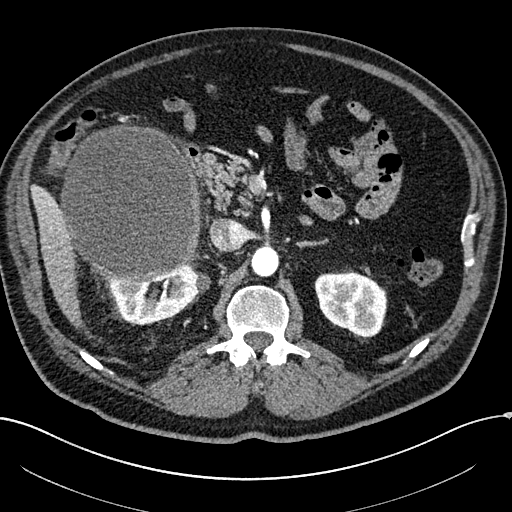
Arterial-phase contrast-enhanced abdominal CT, axial slice 143 of 304 (counted from the lowest slice); tube voltage 100 kVp, convolution kernel I30f; slices 2.00 mm thick, 0.809 mm per pixel.
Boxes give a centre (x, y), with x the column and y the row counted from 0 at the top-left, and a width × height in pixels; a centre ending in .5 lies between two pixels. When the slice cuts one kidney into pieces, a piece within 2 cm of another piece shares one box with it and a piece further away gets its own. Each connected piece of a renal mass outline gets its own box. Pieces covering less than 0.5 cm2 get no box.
Three boxes on this slice (two kidney boxes and one renal mass box), listed by box centre from the image's left to its right. (1) Right renal mass, box centre (130.5, 203), 142 × 159 pixels (outlined area 17,961 px, about 117.4 cm2). (2) Right kidney in a box with centre (157.5, 293.5), 100 × 62 pixels (outlined area 3,600 px, about 23.5 cm2). (3) Left kidney in a box with centre (350, 304.5), 73 × 66 pixels (outlined area 3,627 px, about 23.7 cm2).